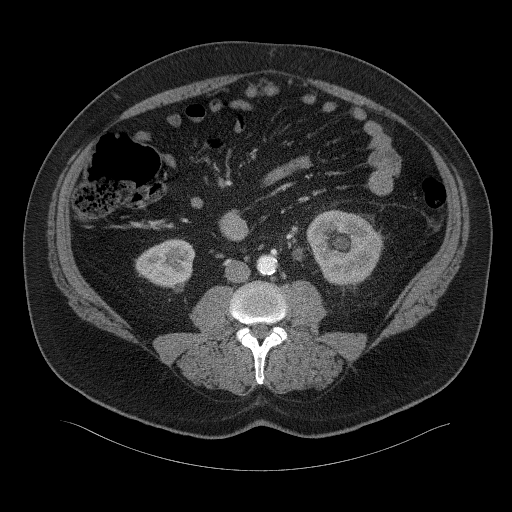
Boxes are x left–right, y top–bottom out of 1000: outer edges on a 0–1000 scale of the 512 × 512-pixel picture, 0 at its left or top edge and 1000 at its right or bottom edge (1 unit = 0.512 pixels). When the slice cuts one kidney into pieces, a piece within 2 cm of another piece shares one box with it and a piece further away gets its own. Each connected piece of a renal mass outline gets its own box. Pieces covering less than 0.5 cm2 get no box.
Contrast-enhanced abdominal CT, axial slice 11 of 94 (counted from the lowest slice); 3.00 mm thick, 0.977 mm per pixel. Two boxes on this slice (two kidney boxes), listed by box centre from the image's left to its right. (1) Right kidney at x 264–383, y 465–572 out of 1000 (outlined area 2,280 px, about 21.7 cm2). (2) Box x 598–748, y 410–559 out of 1000: left kidney (outlined area 4,322 px, about 41.2 cm2). No renal mass is outlined on this slice.
Acquired at 120 kVp and reconstructed with the B41f kernel.